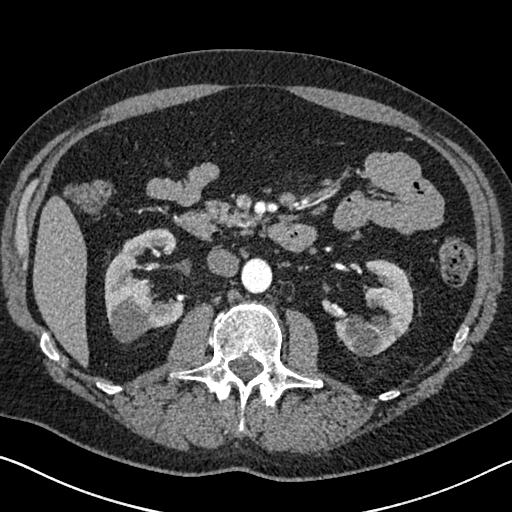
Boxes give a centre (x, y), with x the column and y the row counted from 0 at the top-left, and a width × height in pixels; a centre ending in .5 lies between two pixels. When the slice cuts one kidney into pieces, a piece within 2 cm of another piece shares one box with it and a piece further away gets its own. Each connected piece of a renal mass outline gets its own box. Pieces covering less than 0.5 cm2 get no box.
Arterial-phase contrast-enhanced abdominal CT, axial slice 380 of 626 (counted from the lowest slice); 1.00 mm thick, 0.703 mm per pixel. Boxed on this slice (two kidney boxes), listed by box centre from the image's left to its right: (1) Box centre (144, 285), 81 × 115 pixels: right kidney (outlined area 5,702 px, about 28.2 cm2). (2) Left kidney in a box with centre (373.5, 307.5), 80 × 98 pixels (outlined area 4,516 px, about 22.3 cm2). No renal mass outline on this slice.
Tube voltage 120 kVp; convolution kernel I30f.